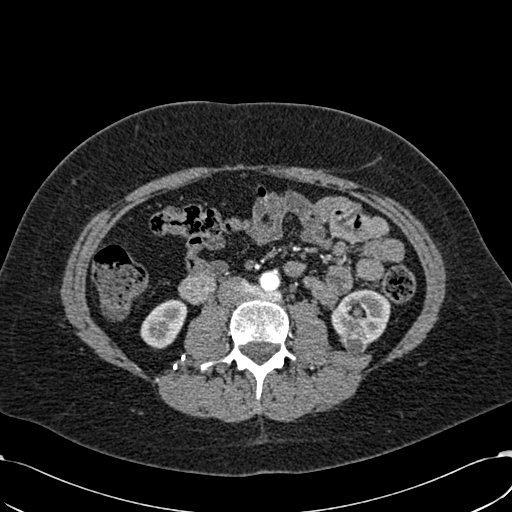
One axial slice (284 of 532, counting up from the lowest) of an arterial-phase abdominal CT acquired with 120 kVp, kernel B30f; each pixel is 0.713 mm and the slice is 1.00 mm thick.
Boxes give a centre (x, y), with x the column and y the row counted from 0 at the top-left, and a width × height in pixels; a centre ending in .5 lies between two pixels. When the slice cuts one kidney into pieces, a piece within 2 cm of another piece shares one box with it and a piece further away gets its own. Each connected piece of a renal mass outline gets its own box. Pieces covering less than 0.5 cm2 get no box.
Two kidney boxes and one renal mass box on this slice; by box centre, from the image's left to its right: (1) Right kidney in a box with centre (163.5, 323.5), 48 × 50 pixels (outlined area 1,643 px, about 8.3 cm2). (2) Box centre (353, 342), 29 × 25 pixels: left renal mass (outlined area 513 px, about 2.6 cm2). (3) Left kidney in a box with centre (360.5, 317), 60 × 57 pixels (outlined area 2,278 px, about 11.6 cm2).